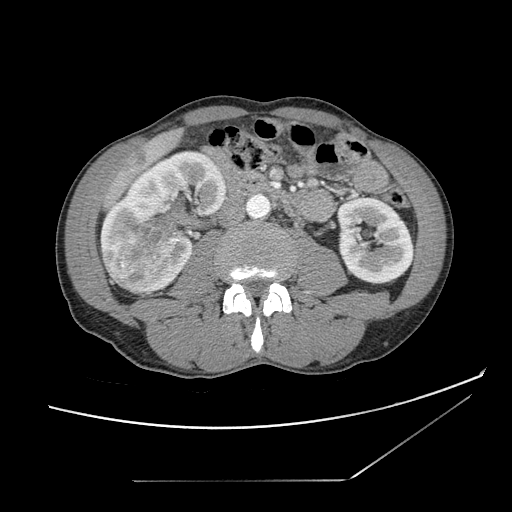
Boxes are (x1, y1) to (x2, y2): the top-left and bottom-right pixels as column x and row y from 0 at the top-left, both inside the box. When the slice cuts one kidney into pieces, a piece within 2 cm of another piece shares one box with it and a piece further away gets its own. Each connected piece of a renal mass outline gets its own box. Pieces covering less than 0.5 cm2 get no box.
Contrast-enhanced abdominal CT, axial slice 50 of 121 (counted from the lowest slice); 2.50 mm thick, 0.742 mm per pixel. Two kidney boxes and one renal mass box on this slice; by box centre, from the image's left to its right: (1) Box (112, 217) to (178, 286): right renal mass (outlined area 3,586 px, about 19.8 cm2). (2) Right kidney from (101, 149) to (225, 295) (outlined area 8,649 px, about 47.6 cm2). (3) Left kidney from (336, 196) to (413, 284) (outlined area 5,406 px, about 29.8 cm2).
Acquired at 120 kVp and reconstructed with the STANDARD kernel.